One axial slice (45 of 98, counting up from the lowest) of a contrast-enhanced abdominal CT acquired with 120 kVp, kernel B41f; each pixel is 0.965 mm and the slice is 5.00 mm thick.
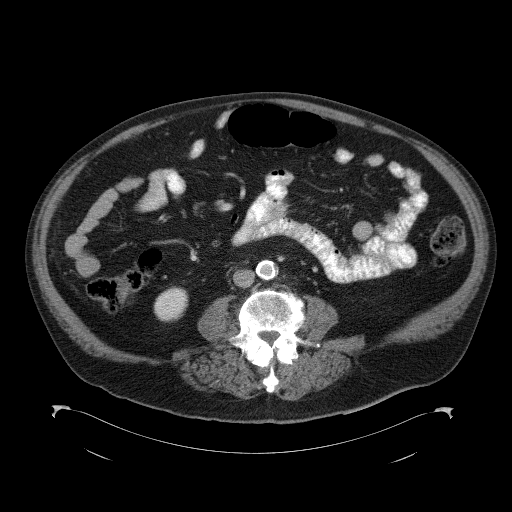
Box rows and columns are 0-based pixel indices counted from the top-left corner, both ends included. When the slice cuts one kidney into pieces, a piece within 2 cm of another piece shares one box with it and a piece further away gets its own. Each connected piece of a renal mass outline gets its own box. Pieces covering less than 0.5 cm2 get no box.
Box rows 286–321, columns 153–188: right kidney (outlined area 955 px, about 8.9 cm2). No renal mass is outlined on this slice.